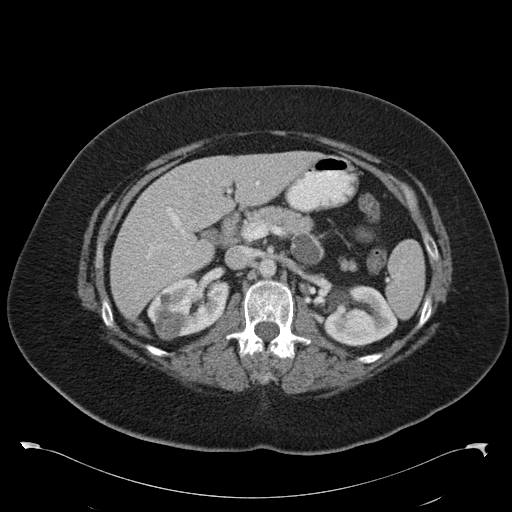
Arterial-phase contrast-enhanced abdominal CT, axial slice 66 of 97 (counted from the lowest slice); tube voltage 120 kVp, convolution kernel B30f; slices 5.00 mm thick, 0.824 mm per pixel.
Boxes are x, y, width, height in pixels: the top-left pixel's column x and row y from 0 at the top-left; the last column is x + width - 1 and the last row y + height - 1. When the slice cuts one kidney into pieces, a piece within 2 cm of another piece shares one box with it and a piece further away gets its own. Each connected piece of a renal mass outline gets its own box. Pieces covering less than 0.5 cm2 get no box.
Boxed on this slice (two kidney boxes and one renal mass box), listed by box centre from the image's left to its right: (1) Right renal mass at x 155, y 309, width 31, height 31 (outlined area 670 px, about 4.6 cm2). (2) Right kidney, box x 147, y 278, width 82, height 58 (outlined area 2,968 px, about 20.2 cm2). (3) Left kidney, box x 325, y 286, width 73, height 61 (outlined area 3,132 px, about 21.3 cm2).